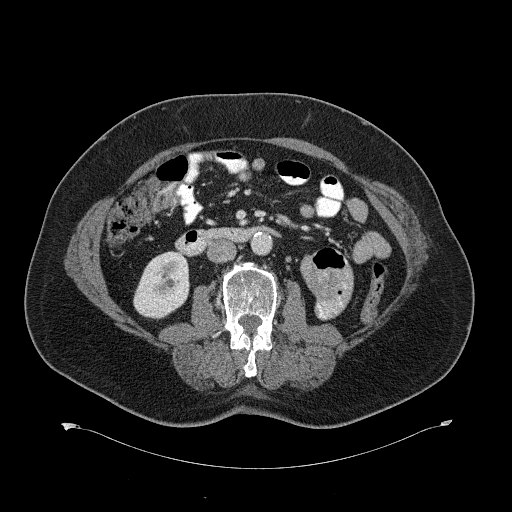
Axial slice 329 of 734 of a contrast-enhanced abdominal CT (slice 1 is the lowest), 120 kVp, kernel B31f; 2.00 mm slice thickness and 0.971 mm pixels.
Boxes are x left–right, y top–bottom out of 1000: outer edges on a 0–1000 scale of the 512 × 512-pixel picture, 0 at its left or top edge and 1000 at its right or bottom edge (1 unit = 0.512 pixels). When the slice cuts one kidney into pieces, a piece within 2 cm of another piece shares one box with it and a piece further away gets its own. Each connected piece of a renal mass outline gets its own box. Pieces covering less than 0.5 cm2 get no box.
Right kidney at x 260–371, y 490–623 out of 1000 (outlined area 2,897 px, about 27.3 cm2). This slice carries no renal mass outline.